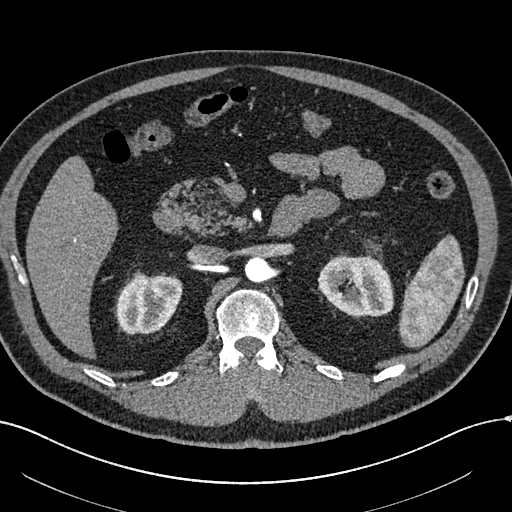
Arterial-phase contrast-enhanced abdominal CT, axial slice 387 of 602 (counted from the lowest slice); tube voltage 120 kVp, convolution kernel I30f; slices 1.00 mm thick, 0.799 mm per pixel.
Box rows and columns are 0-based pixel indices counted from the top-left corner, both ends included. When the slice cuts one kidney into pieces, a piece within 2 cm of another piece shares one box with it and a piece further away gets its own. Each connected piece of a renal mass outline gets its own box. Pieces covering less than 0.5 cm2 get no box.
Boxed on this slice (two kidney boxes), listed by box centre from the image's left to its right: (1) Box rows 271–334, columns 116–182: right kidney (outlined area 3,162 px, about 20.2 cm2). (2) Left kidney, box rows 256–316, columns 317–393 (outlined area 3,700 px, about 23.6 cm2). No renal mass is outlined on this slice.